One axial slice (103 of 233, counting up from the lowest) of an arterial-phase abdominal CT acquired with 120 kVp, kernel STANDARD; each pixel is 0.703 mm and the slice is 1.25 mm thick.
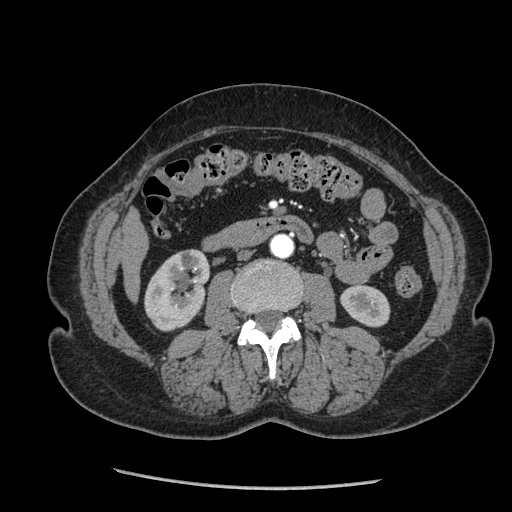
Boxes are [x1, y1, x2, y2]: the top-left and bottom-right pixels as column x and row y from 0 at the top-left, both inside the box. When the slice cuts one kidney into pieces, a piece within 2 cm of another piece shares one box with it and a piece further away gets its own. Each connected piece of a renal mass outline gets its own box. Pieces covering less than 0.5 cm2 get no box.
Boxed on this slice (two kidney boxes), listed by box centre from the image's left to its right: (1) Right kidney, box [144, 249, 210, 331] (outlined area 4,050 px, about 20.0 cm2). (2) Box [340, 285, 390, 327]: left kidney (outlined area 1,630 px, about 8.1 cm2). No renal mass is outlined on this slice.